One axial slice (60 of 103, counting up from the lowest) of a contrast-enhanced abdominal CT acquired with 120 kVp, kernel STANDARD; each pixel is 0.820 mm and the slice is 2.50 mm thick.
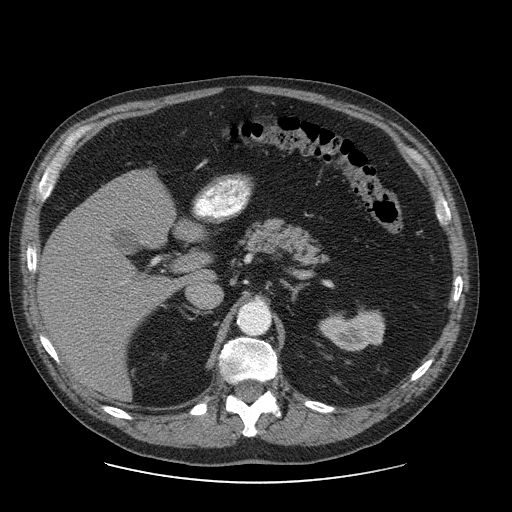
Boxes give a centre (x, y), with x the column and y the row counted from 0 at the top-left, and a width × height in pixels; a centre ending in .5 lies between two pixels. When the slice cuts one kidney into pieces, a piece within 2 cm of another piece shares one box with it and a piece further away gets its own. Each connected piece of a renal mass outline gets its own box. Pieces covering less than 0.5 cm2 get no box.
Box centre (351.5, 330.5), 68 × 42 pixels: left kidney (outlined area 1,988 px, about 13.4 cm2). No renal mass is outlined on this slice.